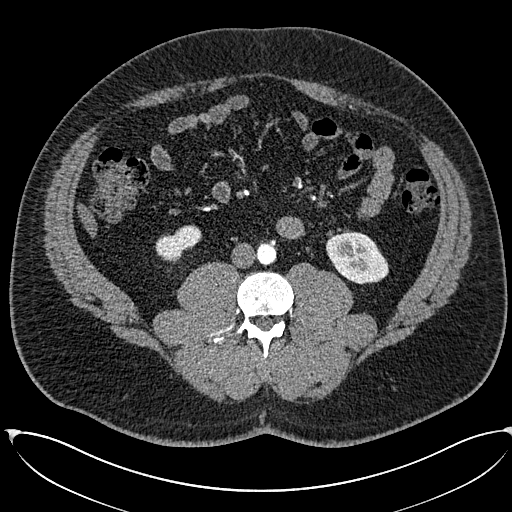
Axial slice 250 of 673 of a contrast-enhanced abdominal CT in the arterial phase (slice 1 is the lowest), 120 kVp, kernel I30f; 1.00 mm slice thickness and 0.855 mm pixels.
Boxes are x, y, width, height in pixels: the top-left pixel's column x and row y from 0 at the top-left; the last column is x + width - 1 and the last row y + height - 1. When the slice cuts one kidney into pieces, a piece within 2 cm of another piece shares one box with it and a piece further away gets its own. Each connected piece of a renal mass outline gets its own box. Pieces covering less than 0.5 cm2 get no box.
Two boxes on this slice (two kidney boxes), listed by box centre from the image's left to its right. (1) Right kidney, box x 155, y 224, width 47, height 37 (outlined area 1,058 px, about 7.7 cm2). (2) Left kidney at x 326, y 232, width 63, height 53 (outlined area 2,435 px, about 17.8 cm2). No renal mass outline on this slice.